Abdominal CT with intravenous contrast, axial plane, 120 kVp, kernel STANDARD. Slice 116/186 from the bottom of the scan; thickness 2.50 mm; pixel size 0.850 mm.
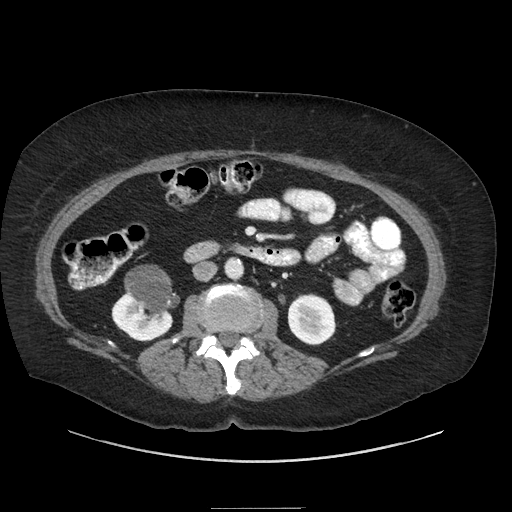
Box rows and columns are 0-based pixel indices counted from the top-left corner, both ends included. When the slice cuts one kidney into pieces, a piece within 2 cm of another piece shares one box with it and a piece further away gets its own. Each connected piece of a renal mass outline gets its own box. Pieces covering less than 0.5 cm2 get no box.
Boxed on this slice (two kidney boxes and one renal mass box), listed by box centre from the image's left to its right: (1) Box rows 292–341, columns 111–173: right kidney (outlined area 1,812 px, about 13.1 cm2). (2) Right renal mass, box rows 264–312, columns 124–179 (outlined area 1,912 px, about 13.8 cm2). (3) Box rows 293–345, columns 287–335: left kidney (outlined area 2,010 px, about 14.5 cm2).